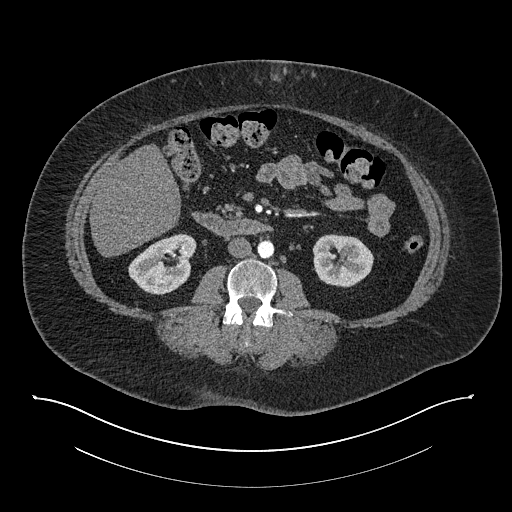
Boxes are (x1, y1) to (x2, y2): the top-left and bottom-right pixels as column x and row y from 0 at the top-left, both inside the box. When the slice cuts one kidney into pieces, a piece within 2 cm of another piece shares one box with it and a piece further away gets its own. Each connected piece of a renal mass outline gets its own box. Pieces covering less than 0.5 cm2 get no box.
Slice 406/673 of a contrast-enhanced abdominal CT in the arterial phase, counting up from the lowest; pixel size 0.957 mm, slice thickness 1.00 mm. Boxed on this slice (two kidney boxes), listed by box centre from the image's left to its right: (1) Right kidney, box (128, 233) to (196, 294) (outlined area 2,900 px, about 26.6 cm2). (2) Left kidney, box (312, 234) to (373, 287) (outlined area 2,592 px, about 23.7 cm2). This slice carries no renal mass outline.
Tube voltage 140 kVp; convolution kernel I30f.